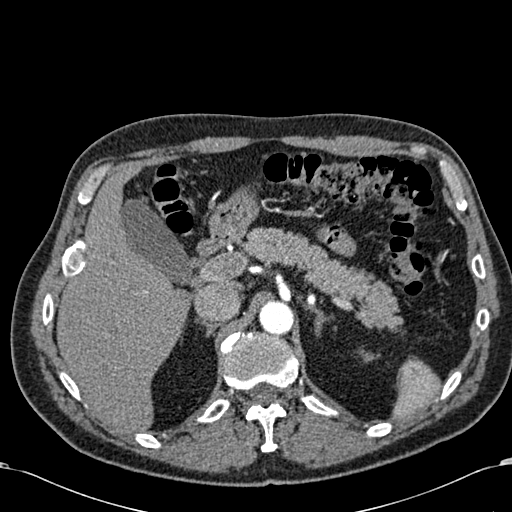
Arterial-phase contrast-enhanced abdominal CT, axial slice 455 of 581 (counted from the lowest slice); tube voltage 120 kVp, convolution kernel B30f; slices 1.00 mm thick, 0.713 mm per pixel.
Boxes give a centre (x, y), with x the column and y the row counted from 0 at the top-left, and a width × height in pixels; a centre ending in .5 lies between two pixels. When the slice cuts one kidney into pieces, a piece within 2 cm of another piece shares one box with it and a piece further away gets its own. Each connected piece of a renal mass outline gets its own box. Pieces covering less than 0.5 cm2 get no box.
Box centre (363.5, 355.5), 12 × 14 pixels: left kidney (outlined area 103 px, about 0.5 cm2). No renal mass outline on this slice.